Arterial-phase contrast-enhanced abdominal CT, axial slice 93 of 145 (counted from the lowest slice); tube voltage 100 kVp, convolution kernel I40f; slices 3.00 mm thick, 0.834 mm per pixel.
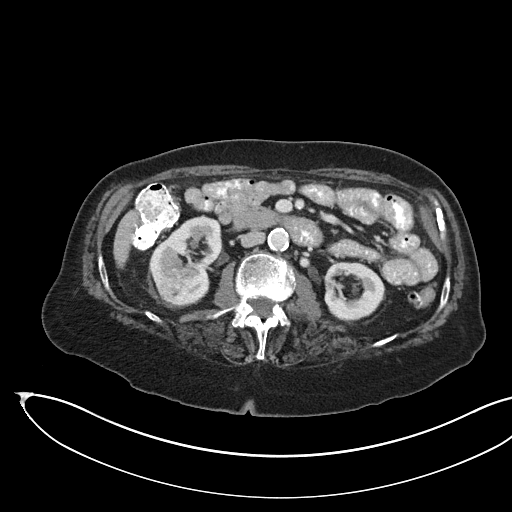
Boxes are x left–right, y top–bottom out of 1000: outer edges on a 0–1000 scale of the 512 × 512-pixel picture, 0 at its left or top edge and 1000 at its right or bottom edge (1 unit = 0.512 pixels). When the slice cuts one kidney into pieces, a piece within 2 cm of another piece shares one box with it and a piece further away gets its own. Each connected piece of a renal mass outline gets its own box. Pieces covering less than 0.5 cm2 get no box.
Three boxes on this slice (two kidney boxes and one renal mass box), listed by box centre from the image's left to its right. (1) Renal mass at x 314–402, y 520–596 out of 1000 (outlined area 1,353 px, about 9.4 cm2). (2) Kidney, box x 291–438, y 422–598 out of 1000 (outlined area 3,340 px, about 23.2 cm2). (3) Kidney, box x 631–754, y 512–629 out of 1000 (outlined area 2,745 px, about 19.1 cm2).